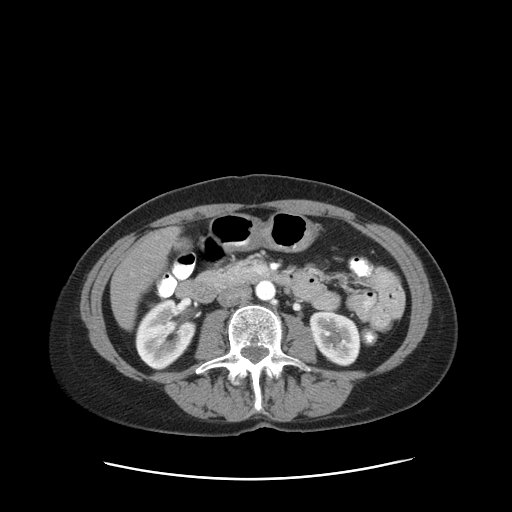
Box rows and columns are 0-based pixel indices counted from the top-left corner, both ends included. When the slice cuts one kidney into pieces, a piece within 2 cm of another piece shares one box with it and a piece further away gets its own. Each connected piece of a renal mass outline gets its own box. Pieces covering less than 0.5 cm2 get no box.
Slice 49/83 of a contrast-enhanced abdominal CT in the arterial phase, counting up from the lowest; pixel size 0.775 mm, slice thickness 5.00 mm. Two kidney boxes on this slice; by box centre, from the image's left to its right: (1) Right kidney, box rows 299–370, columns 135–196 (outlined area 3,099 px, about 18.6 cm2). (2) Left kidney, box rows 311–366, columns 309–360 (outlined area 2,189 px, about 13.2 cm2). No renal mass outline on this slice.
Tube voltage 120 kVp; convolution kernel STANDARD.